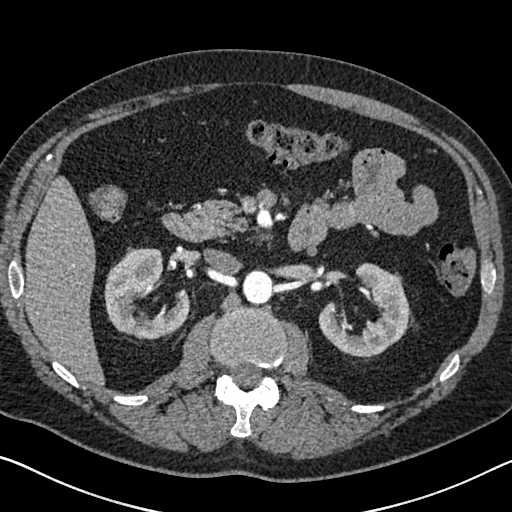
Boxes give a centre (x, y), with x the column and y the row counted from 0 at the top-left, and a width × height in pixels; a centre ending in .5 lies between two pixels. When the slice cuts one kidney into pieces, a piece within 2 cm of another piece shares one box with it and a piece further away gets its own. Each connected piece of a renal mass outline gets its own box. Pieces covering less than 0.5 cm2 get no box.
Arterial-phase contrast-enhanced abdominal CT, axial slice 416 of 626 (counted from the lowest slice); 1.00 mm thick, 0.703 mm per pixel. Boxed on this slice (two kidney boxes), listed by box centre from the image's left to its right: (1) Box centre (146.5, 293), 86 × 93 pixels: right kidney (outlined area 4,925 px, about 24.3 cm2). (2) Left kidney, box centre (364, 310), 93 × 95 pixels (outlined area 4,817 px, about 23.8 cm2). This slice carries no renal mass outline.
Scan settings: 120 kVp, I30f reconstruction kernel.